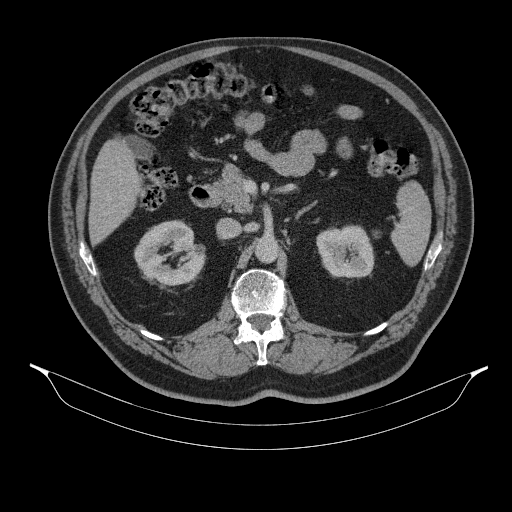
Axial slice 213 of 314 of a contrast-enhanced abdominal CT (slice 1 is the lowest), 130 kVp, kernel B31s; 2.50 mm slice thickness and 0.934 mm pixels.
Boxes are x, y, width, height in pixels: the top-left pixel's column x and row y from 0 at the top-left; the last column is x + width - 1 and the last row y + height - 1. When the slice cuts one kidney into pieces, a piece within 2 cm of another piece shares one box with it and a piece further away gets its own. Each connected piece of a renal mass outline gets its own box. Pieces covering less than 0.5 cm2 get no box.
Boxed on this slice (two kidney boxes), listed by box centre from the image's left to its right: (1) Right kidney, box x 134, y 220, width 72, height 66 (outlined area 3,349 px, about 29.2 cm2). (2) Left kidney, box x 316, y 225, width 59, height 53 (outlined area 2,494 px, about 21.7 cm2). No renal mass is outlined on this slice.